Abdominal CT with intravenous contrast, arterial phase, axial plane, 100 kVp, kernel I30f. Slice 186/304 from the bottom of the scan; thickness 2.00 mm; pixel size 0.809 mm.
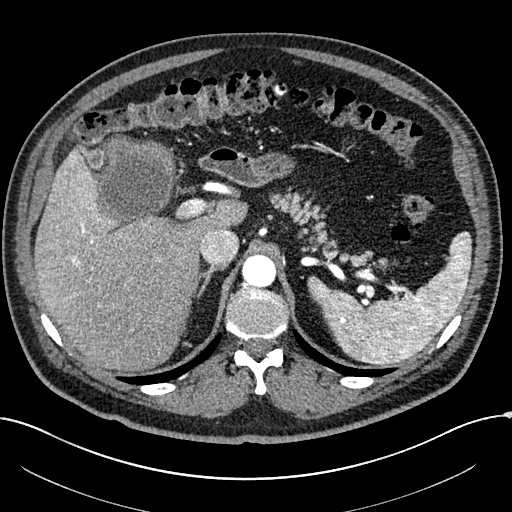
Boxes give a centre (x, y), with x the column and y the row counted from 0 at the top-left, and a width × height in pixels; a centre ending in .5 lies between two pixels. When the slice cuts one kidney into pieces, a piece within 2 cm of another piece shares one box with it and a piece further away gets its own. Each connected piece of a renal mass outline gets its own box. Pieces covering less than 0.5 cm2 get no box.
Right renal mass, box centre (138, 178.5), 79 × 90 pixels (outlined area 5,589 px, about 36.5 cm2); no kidney is outlined on this slice, but the same outlined renal mass comes within 1 cm of the kidney on another slice.